One axial slice (270 of 665, counting up from the lowest) of an arterial-phase abdominal CT acquired with 100 kVp, kernel I26f; each pixel is 0.828 mm and the slice is 1.00 mm thick.
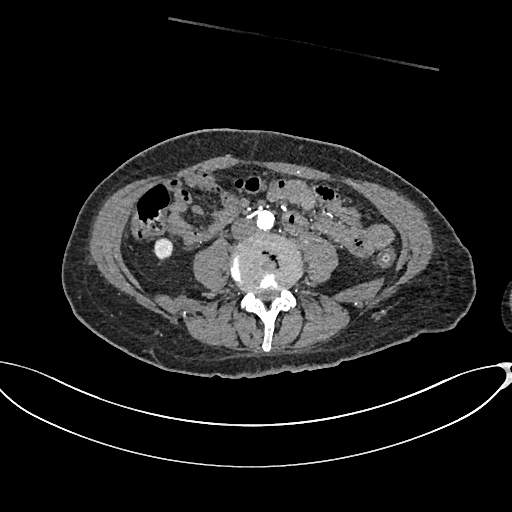
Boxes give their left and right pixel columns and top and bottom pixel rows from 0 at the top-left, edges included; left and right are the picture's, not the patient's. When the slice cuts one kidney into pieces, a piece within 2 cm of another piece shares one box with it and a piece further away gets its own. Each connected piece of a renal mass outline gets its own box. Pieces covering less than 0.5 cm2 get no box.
Right kidney in the box with left 154, top 238, right 173, bottom 259 (outlined area 357 px, about 2.4 cm2). This slice carries no renal mass outline.